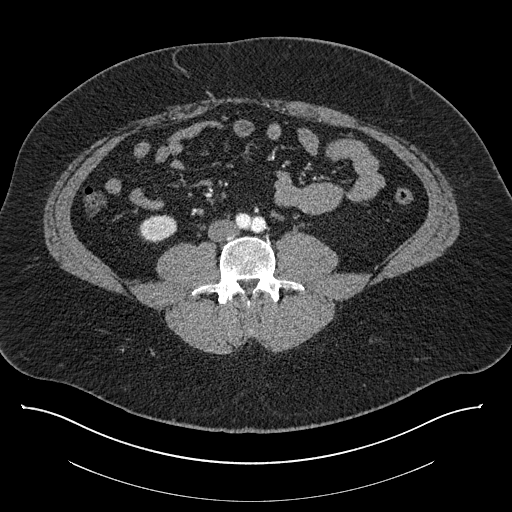
Axial slice 327 of 787 of a contrast-enhanced abdominal CT (slice 1 is the lowest), 140 kVp, kernel I30f; 1.00 mm slice thickness and 0.910 mm pixels.
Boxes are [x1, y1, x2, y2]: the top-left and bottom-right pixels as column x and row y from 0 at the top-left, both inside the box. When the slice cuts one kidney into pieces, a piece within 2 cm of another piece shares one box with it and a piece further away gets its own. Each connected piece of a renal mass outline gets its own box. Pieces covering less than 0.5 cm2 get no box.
Box [138, 214, 176, 243]: right kidney (outlined area 850 px, about 7.0 cm2). No renal mass outline on this slice.